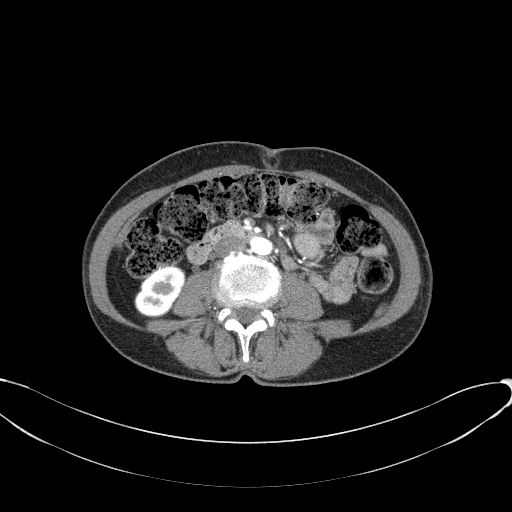
Axial slice 17 of 77 of a contrast-enhanced abdominal CT in the arterial phase (slice 1 is the lowest), 100 kVp, kernel B41f; 3.00 mm slice thickness and 0.809 mm pixels.
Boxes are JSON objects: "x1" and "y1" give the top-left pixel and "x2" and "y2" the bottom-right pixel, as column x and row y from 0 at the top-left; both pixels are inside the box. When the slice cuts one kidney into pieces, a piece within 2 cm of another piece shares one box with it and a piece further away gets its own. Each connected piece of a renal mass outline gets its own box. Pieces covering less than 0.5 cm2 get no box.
Right kidney, box {"x1": 134, "y1": 266, "x2": 185, "y2": 317} (outlined area 1,873 px, about 12.2 cm2). This slice carries no renal mass outline.